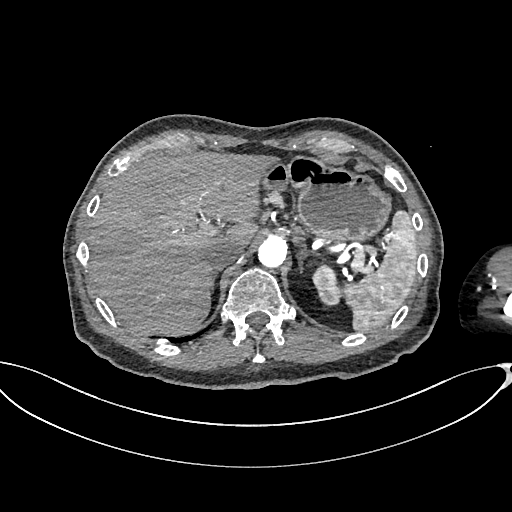
Abdominal CT with intravenous contrast, arterial phase, axial plane, 100 kVp, kernel I26f. Slice 515/665 from the bottom of the scan; thickness 1.00 mm; pixel size 0.828 mm.
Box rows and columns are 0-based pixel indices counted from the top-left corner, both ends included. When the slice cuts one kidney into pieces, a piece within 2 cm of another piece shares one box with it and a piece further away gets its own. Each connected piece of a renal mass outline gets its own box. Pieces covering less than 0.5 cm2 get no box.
Left kidney, box rows 263–306, columns 312–341 (outlined area 889 px, about 6.1 cm2). No renal mass is outlined on this slice.